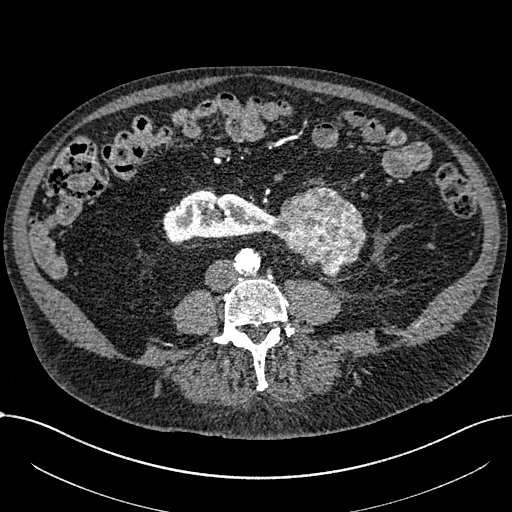
Axial slice 255 of 1059 of a contrast-enhanced abdominal CT in the arterial phase (slice 1 is the lowest), 100 kVp, kernel I30f; 1.00 mm slice thickness and 0.811 mm pixels.
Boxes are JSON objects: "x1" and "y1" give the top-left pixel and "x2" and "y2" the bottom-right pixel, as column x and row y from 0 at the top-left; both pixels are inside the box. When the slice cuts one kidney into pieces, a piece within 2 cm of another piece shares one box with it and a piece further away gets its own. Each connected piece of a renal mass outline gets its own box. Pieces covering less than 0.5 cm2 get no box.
Two boxes on this slice (one kidney box and one renal mass box), listed by box centre from the image's left to its right. (1) Right part of the midline-crossing kidney at {"x1": 162, "y1": 190, "x2": 274, "y2": 243} (outlined area 4,180 px, about 27.5 cm2). (2) Renal mass at {"x1": 269, "y1": 185, "x2": 366, "y2": 277} (outlined area 5,736 px, about 37.7 cm2).